Abdominal CT with intravenous contrast, arterial phase, axial plane, 120 kVp, kernel B30f. Slice 449/512 from the bottom of the scan; thickness 1.00 mm; pixel size 0.771 mm.
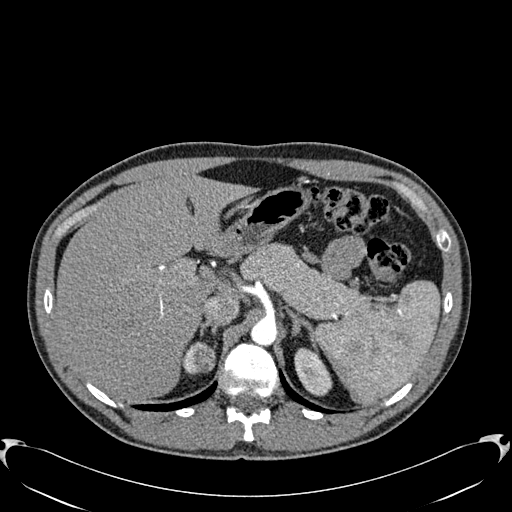
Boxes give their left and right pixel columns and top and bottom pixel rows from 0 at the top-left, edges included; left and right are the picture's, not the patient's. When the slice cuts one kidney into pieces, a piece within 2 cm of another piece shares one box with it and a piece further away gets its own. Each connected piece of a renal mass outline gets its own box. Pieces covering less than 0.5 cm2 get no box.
Two kidney boxes and one renal mass box on this slice; by box centre, from the image's left to its right: (1) Box with left 183, top 343, right 198, bottom 374: right kidney (outlined area 249 px, about 1.5 cm2). (2) Box with left 191, top 342, right 215, bottom 372: right renal mass (outlined area 595 px, about 3.5 cm2). (3) Left kidney, the box with left 294, top 347, right 332, bottom 396 (outlined area 1,307 px, about 7.8 cm2).